Arterial-phase contrast-enhanced abdominal CT, axial slice 206 of 316 (counted from the lowest slice); tube voltage 100 kVp, convolution kernel I40f; slices 2.00 mm thick, 0.840 mm per pixel.
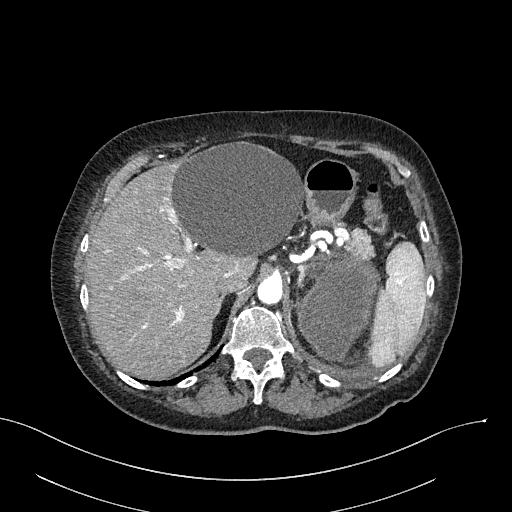
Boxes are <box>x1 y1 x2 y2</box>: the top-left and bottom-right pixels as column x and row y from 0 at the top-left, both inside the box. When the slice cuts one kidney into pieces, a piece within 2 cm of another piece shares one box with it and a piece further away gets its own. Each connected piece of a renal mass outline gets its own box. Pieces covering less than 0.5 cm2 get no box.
At <box>296 256 378 361</box>: left renal mass (outlined area 5,996 px, about 42.3 cm2); no kidney outline appears on this slice, but the same outlined renal mass comes within 1 cm of the kidney on another slice.